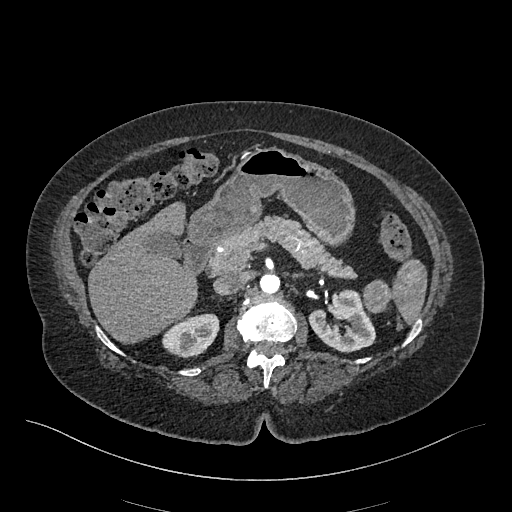
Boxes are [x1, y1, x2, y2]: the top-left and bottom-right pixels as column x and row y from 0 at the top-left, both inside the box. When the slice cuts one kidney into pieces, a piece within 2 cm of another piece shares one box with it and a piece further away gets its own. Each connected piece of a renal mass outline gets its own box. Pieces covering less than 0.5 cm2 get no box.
This is axial slice 296 of 548 (slice 1 is the lowest) of an arterial-phase abdominal CT with contrast; each pixel is 0.852 mm and the slice is 1.00 mm thick. Three boxes on this slice (two kidney boxes and one renal mass box), listed by box centre from the image's left to its right. (1) Right kidney at [162, 313, 219, 358] (outlined area 1,865 px, about 13.5 cm2). (2) Left kidney, box [308, 289, 375, 352] (outlined area 2,841 px, about 20.6 cm2). (3) Box [362, 279, 391, 313]: left renal mass (outlined area 753 px, about 5.5 cm2).
Acquired at 120 kVp and reconstructed with the I26f kernel.